Axial slice 309 of 433 of a contrast-enhanced abdominal CT (slice 1 is the lowest), 120 kVp, kernel B30f; 1.00 mm slice thickness and 0.672 mm pixels.
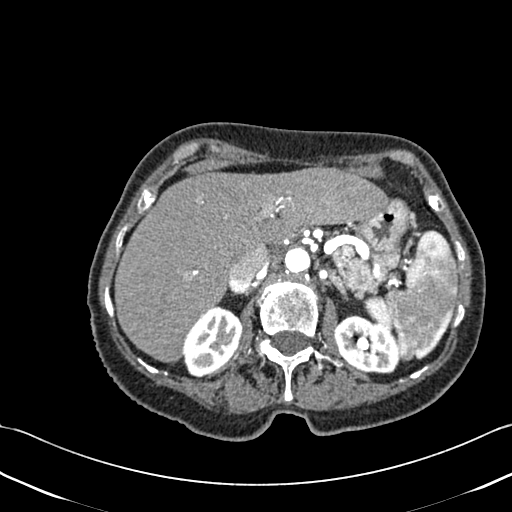
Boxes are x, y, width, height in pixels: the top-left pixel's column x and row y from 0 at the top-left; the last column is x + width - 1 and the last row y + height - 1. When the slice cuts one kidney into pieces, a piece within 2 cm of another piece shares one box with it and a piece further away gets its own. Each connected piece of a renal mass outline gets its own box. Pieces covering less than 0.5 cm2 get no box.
Boxed on this slice (two kidney boxes), listed by box centre from the image's left to its right: (1) Right kidney, box x 182, y 305, width 62, height 73 (outlined area 3,035 px, about 13.7 cm2). (2) Box x 334, y 315, width 66, height 59: left kidney (outlined area 2,843 px, about 12.8 cm2). No renal mass is outlined on this slice.